One axial slice (52 of 96, counting up from the lowest) of an arterial-phase abdominal CT acquired with 120 kVp, kernel STANDARD; each pixel is 0.689 mm and the slice is 2.50 mm thick.
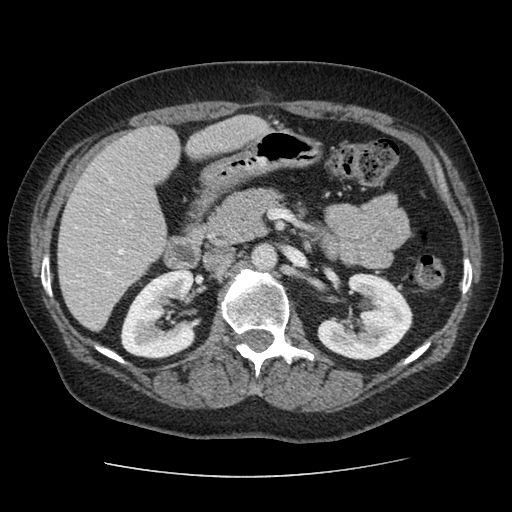
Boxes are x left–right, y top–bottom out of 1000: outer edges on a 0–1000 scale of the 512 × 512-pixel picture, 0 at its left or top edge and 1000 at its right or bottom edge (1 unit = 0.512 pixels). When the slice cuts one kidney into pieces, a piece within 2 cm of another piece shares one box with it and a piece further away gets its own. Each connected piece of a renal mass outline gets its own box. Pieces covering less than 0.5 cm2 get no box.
Two kidney boxes on this slice; by box centre, from the image's left to its right: (1) Right kidney at x 234–383, y 525–703 out of 1000 (outlined area 5,080 px, about 24.1 cm2). (2) Left kidney at x 619–807, y 533–703 out of 1000 (outlined area 5,332 px, about 25.3 cm2). No renal mass is outlined on this slice.